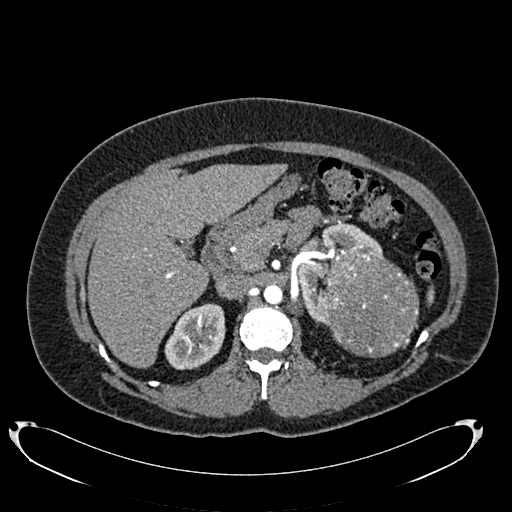
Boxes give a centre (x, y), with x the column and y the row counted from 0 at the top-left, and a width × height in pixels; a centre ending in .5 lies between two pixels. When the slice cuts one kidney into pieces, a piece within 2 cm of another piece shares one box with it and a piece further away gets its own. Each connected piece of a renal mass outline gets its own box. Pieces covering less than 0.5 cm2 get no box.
Slice 485/634 of a contrast-enhanced abdominal CT in the arterial phase, counting up from the lowest; pixel size 0.838 mm, slice thickness 1.00 mm. Boxed on this slice (two kidney boxes and one renal mass box), listed by box centre from the image's left to its right: (1) Right kidney in a box with centre (194.5, 336), 62 × 67 pixels (outlined area 3,004 px, about 21.1 cm2). (2) Box centre (339.5, 274), 88 × 103 pixels: left kidney (outlined area 3,498 px, about 24.6 cm2). (3) Left renal mass in a box with centre (371, 305), 95 × 105 pixels (outlined area 7,861 px, about 55.2 cm2).
Acquired at 120 kVp and reconstructed with the B20f kernel.